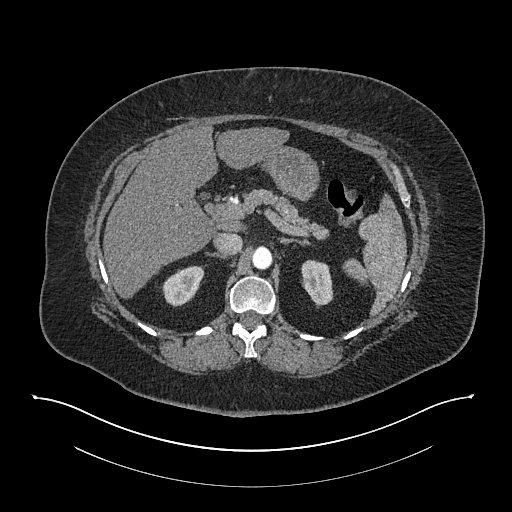
Abdominal CT with intravenous contrast, arterial phase, axial plane, 140 kVp, kernel I30f. Slice 556/673 from the bottom of the scan; thickness 1.00 mm; pixel size 0.957 mm.
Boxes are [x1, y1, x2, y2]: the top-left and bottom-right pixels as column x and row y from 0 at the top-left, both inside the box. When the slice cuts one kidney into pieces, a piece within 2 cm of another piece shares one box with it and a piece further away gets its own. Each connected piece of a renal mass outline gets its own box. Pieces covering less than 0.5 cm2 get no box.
Two kidney boxes on this slice; by box centre, from the image's left to its right: (1) Box [162, 266, 204, 306]: right kidney (outlined area 1,193 px, about 10.9 cm2). (2) Box [301, 259, 333, 307]: left kidney (outlined area 1,168 px, about 10.7 cm2). No renal mass outline on this slice.